Abdominal CT with intravenous contrast, arterial phase, axial plane, 100 kVp, kernel I41f. Slice 48/85 from the bottom of the scan; thickness 5.00 mm; pixel size 0.664 mm.
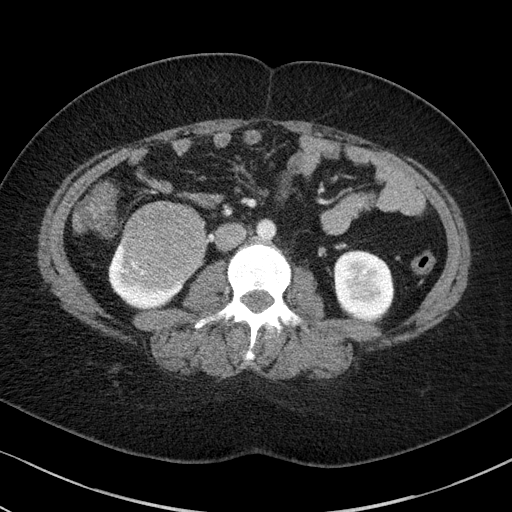
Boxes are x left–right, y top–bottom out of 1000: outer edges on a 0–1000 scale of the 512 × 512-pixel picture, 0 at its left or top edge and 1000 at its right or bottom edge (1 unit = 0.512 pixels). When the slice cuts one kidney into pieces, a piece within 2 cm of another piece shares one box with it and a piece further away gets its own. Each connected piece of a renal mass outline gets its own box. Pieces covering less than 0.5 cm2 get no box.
Two kidney boxes and one renal mass box on this slice; by box centre, from the image's left to its right: (1) Right kidney at x 211–363, y 469–605 out of 1000 (outlined area 2,187 px, about 9.6 cm2). (2) Right renal mass, box x 236–404, y 393–553 out of 1000 (outlined area 5,750 px, about 25.4 cm2). (3) Left kidney at x 650–771, y 488–629 out of 1000 (outlined area 3,551 px, about 15.7 cm2).